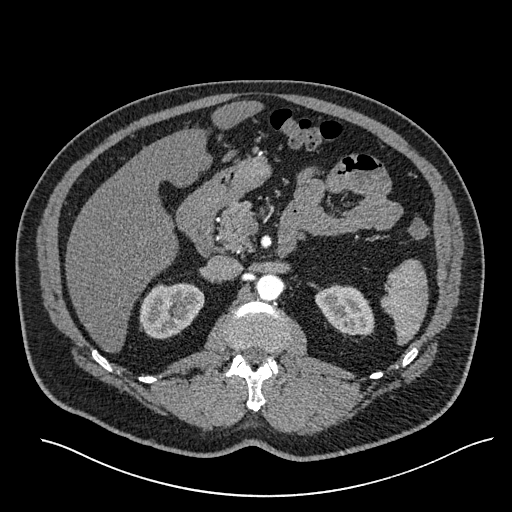
Axial slice 373 of 527 of a contrast-enhanced abdominal CT in the arterial phase (slice 1 is the lowest), 120 kVp, kernel I30f; 1.00 mm slice thickness and 0.859 mm pixels.
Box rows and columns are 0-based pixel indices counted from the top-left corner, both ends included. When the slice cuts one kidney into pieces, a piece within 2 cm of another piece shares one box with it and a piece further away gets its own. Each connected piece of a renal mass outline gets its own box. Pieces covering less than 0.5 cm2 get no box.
Two boxes on this slice (two kidney boxes), listed by box centre from the image's left to its right. (1) Right kidney, box rows 283–339, columns 139–204 (outlined area 2,802 px, about 20.7 cm2). (2) Left kidney at rows 284–337, columns 315–374 (outlined area 2,250 px, about 16.6 cm2). No renal mass outline on this slice.